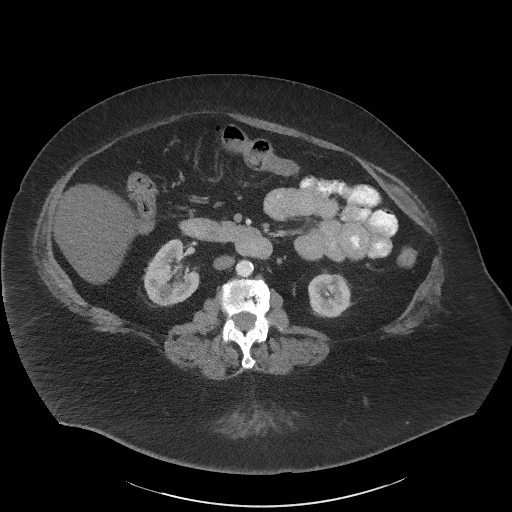
Abdominal CT with intravenous contrast, arterial phase, axial plane, 140 kVp, kernel I41f. Slice 26/61 from the bottom of the scan; thickness 3.00 mm; pixel size 0.947 mm.
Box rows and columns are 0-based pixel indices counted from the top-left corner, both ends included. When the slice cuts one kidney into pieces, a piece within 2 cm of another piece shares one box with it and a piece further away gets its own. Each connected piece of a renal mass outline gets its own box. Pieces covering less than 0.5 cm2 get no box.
Boxed on this slice (two kidney boxes), listed by box centre from the image's left to its right: (1) Box rows 238–306, columns 143–199: right kidney (outlined area 2,700 px, about 24.2 cm2). (2) Left kidney, box rows 272–317, columns 308–351 (outlined area 1,623 px, about 14.6 cm2). No renal mass is outlined on this slice.